Abdominal CT with intravenous contrast, axial plane, 120 kVp, kernel I40f. Slice 175/301 from the bottom of the scan; thickness 2.00 mm; pixel size 0.859 mm.
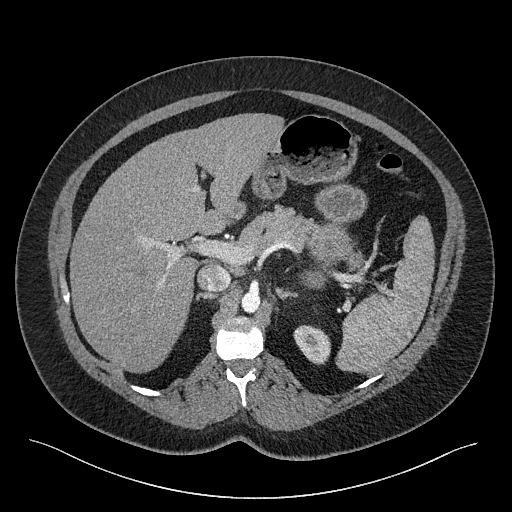
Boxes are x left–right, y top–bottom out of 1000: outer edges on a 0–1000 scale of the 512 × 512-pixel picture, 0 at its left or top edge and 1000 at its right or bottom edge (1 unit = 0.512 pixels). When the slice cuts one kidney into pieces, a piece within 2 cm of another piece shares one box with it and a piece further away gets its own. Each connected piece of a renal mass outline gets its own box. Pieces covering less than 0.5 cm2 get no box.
Left kidney at x 572–646, y 635–713 out of 1000 (outlined area 1,091 px, about 8.1 cm2). No renal mass is outlined on this slice.